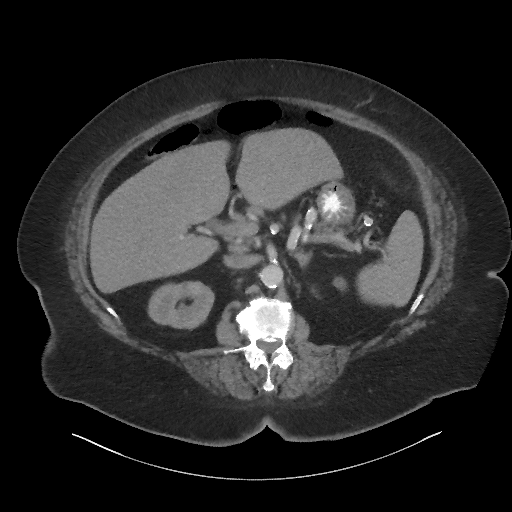
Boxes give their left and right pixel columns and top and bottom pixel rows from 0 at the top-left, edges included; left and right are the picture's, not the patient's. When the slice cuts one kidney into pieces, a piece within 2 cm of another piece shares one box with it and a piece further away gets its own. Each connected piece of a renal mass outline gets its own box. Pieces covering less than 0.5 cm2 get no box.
This is axial slice 45 of 86 (slice 1 is the lowest) of an abdominal CT with contrast; each pixel is 0.977 mm and the slice is 3.00 mm thick. Boxed on this slice (two kidney boxes), listed by box centre from the image's left to its right: (1) Box with left 148, top 281, right 214, bottom 329: right kidney (outlined area 2,535 px, about 24.2 cm2). (2) Left kidney in the box with left 333, top 277, right 346, bottom 290 (outlined area 135 px, about 1.3 cm2). No renal mass is outlined on this slice.
Tube voltage 140 kVp; convolution kernel I44f.